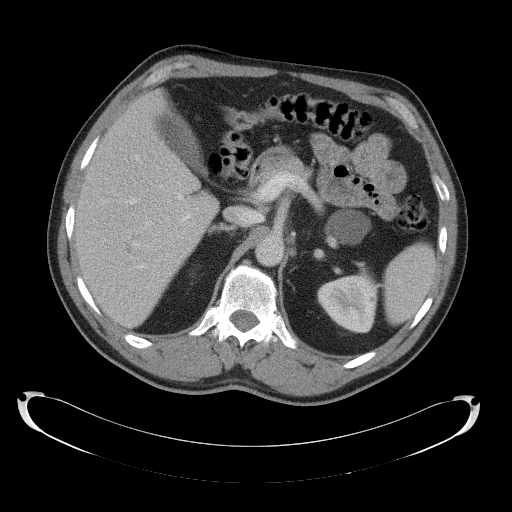
Abdominal CT with intravenous contrast, axial plane, 120 kVp, kernel B41f. Slice 80/145 from the bottom of the scan; thickness 5.00 mm; pixel size 0.859 mm.
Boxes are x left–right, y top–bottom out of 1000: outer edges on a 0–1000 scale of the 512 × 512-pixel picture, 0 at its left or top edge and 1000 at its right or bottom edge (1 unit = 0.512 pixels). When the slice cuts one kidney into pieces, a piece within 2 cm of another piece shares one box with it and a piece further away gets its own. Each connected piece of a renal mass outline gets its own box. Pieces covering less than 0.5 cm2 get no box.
Left kidney at x 619–740, y 406–652 out of 1000 (outlined area 4,129 px, about 30.5 cm2). No renal mass is outlined on this slice.